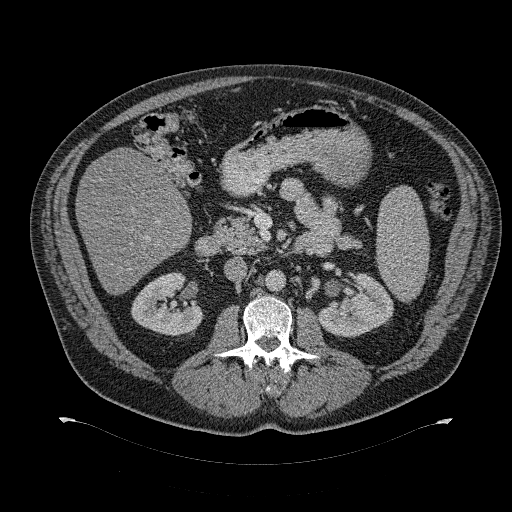
Contrast-enhanced abdominal CT, axial slice 184 of 274 (counted from the lowest slice); tube voltage 120 kVp, convolution kernel B31f; slices 2.00 mm thick, 0.977 mm per pixel.
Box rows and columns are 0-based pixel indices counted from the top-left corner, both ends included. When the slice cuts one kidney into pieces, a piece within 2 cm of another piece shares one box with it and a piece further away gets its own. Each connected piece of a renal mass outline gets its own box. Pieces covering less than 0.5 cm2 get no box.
Boxed on this slice (two kidney boxes), listed by box centre from the image's left to its right: (1) Box rows 272–336, columns 131–203: right kidney (outlined area 3,311 px, about 31.6 cm2). (2) Left kidney at rows 273–337, columns 318–394 (outlined area 3,267 px, about 31.2 cm2). No renal mass outline on this slice.